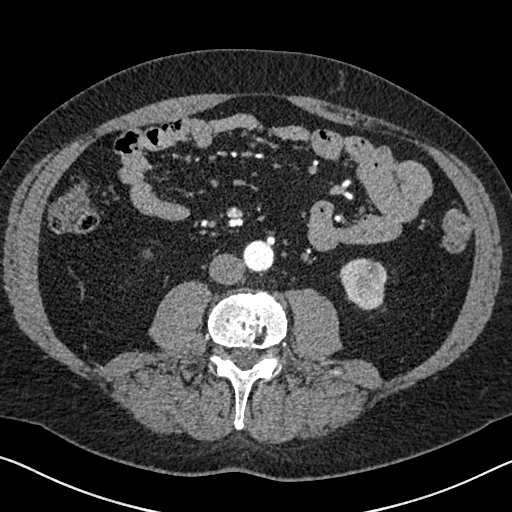
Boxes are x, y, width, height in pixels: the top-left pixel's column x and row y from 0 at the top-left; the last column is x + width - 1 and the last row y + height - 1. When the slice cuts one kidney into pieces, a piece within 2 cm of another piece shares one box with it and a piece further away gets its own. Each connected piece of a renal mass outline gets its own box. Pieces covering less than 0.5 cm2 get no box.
This is axial slice 291 of 626 (slice 1 is the lowest) of an arterial-phase abdominal CT with contrast; each pixel is 0.703 mm and the slice is 1.00 mm thick. Left kidney, box x 340, y 258, width 47, height 53 (outlined area 1,914 px, about 9.5 cm2). No renal mass outline on this slice.
Tube voltage 120 kVp; convolution kernel I30f.